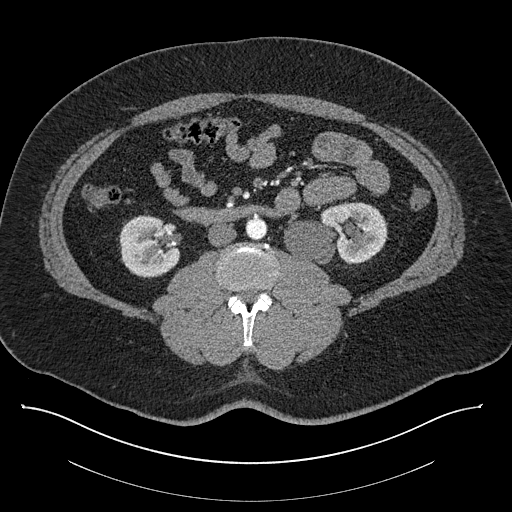
One axial slice (427 of 787, counting up from the lowest) of a contrast-enhanced abdominal CT acquired with 140 kVp, kernel I30f; each pixel is 0.910 mm and the slice is 1.00 mm thick.
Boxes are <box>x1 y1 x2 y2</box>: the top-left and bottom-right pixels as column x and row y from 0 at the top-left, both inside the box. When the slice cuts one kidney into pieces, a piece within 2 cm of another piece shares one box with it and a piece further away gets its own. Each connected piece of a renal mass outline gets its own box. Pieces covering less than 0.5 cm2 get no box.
Two boxes on this slice (two kidney boxes), listed by box centre from the image's left to its right. (1) Right kidney: <box>119 215 179 278</box> (outlined area 2,975 px, about 24.6 cm2). (2) Left kidney at <box>283 202 387 264</box> (outlined area 4,784 px, about 39.6 cm2). This slice carries no renal mass outline.